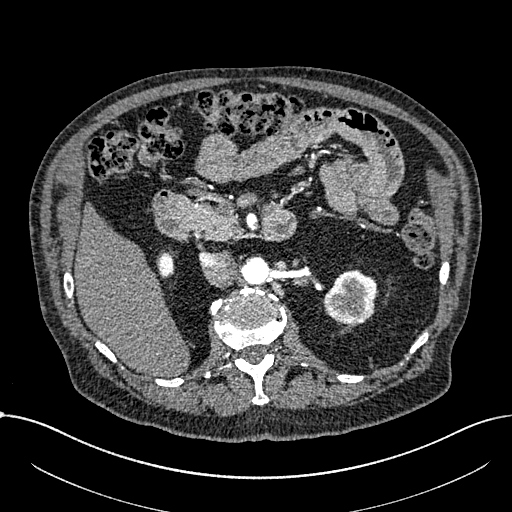
Abdominal CT with intravenous contrast, arterial phase, axial plane, 100 kVp, kernel I30f. Slice 432/1059 from the bottom of the scan; thickness 1.00 mm; pixel size 0.811 mm.
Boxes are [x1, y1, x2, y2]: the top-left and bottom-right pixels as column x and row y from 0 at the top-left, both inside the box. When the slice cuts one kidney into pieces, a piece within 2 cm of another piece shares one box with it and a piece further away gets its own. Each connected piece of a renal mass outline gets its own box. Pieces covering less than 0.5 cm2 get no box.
Two kidney boxes on this slice; by box centre, from the image's left to its right: (1) Right part of the midline-crossing kidney at [158, 252, 174, 278] (outlined area 361 px, about 2.4 cm2). (2) Left part of the midline-crossing kidney at [322, 269, 376, 324] (outlined area 2,293 px, about 15.1 cm2). No renal mass outline on this slice.